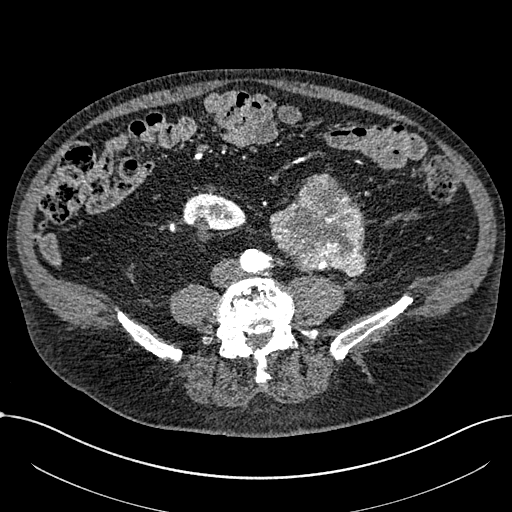
Arterial-phase contrast-enhanced abdominal CT, axial slice 220 of 1059 (counted from the lowest slice); tube voltage 100 kVp, convolution kernel I30f; slices 1.00 mm thick, 0.811 mm per pixel.
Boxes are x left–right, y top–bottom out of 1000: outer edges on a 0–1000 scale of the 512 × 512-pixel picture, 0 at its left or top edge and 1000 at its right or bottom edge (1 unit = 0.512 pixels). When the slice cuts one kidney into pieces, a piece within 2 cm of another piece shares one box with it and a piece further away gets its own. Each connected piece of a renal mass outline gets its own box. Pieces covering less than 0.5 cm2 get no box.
Boxed on this slice (one kidney box and one renal mass box), listed by box centre from the image's left to its right: (1) Box x 355–482, y 379–473 out of 1000: right part of the midline-crossing kidney (outlined area 1,975 px, about 13.0 cm2). (2) Renal mass at x 525–717, y 338–543 out of 1000 (outlined area 7,042 px, about 46.3 cm2); on this slice it lies more than 1 cm from any kidney outline, but the same outlined renal mass comes within 1 cm of the kidney on another slice.